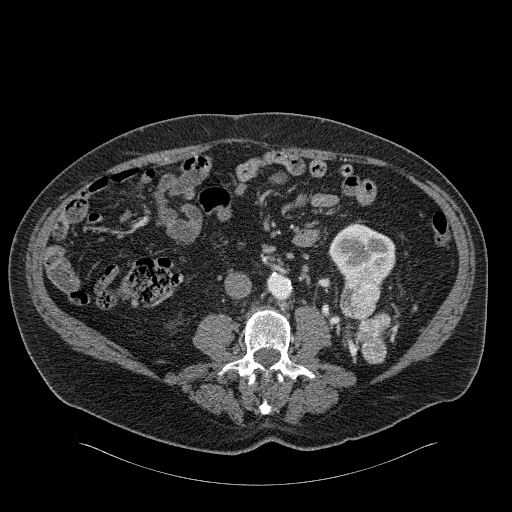
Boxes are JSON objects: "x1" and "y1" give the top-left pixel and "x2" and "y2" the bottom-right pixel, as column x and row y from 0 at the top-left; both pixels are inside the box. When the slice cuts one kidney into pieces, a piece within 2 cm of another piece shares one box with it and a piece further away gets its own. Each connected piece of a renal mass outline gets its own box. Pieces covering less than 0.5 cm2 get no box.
Slice 75/326 of a contrast-enhanced abdominal CT in the arterial phase, counting up from the lowest; pixel size 0.963 mm, slice thickness 2.00 mm. One kidney box and one renal mass box on this slice; by box centre, from the image's left to its right: (1) Left kidney at {"x1": 329, "y1": 223, "x2": 395, "y2": 287} (outlined area 2,894 px, about 26.8 cm2). (2) Box {"x1": 339, "y1": 274, "x2": 388, "y2": 363}: left renal mass (outlined area 2,708 px, about 25.1 cm2).
Tube voltage 120 kVp; convolution kernel B31f.